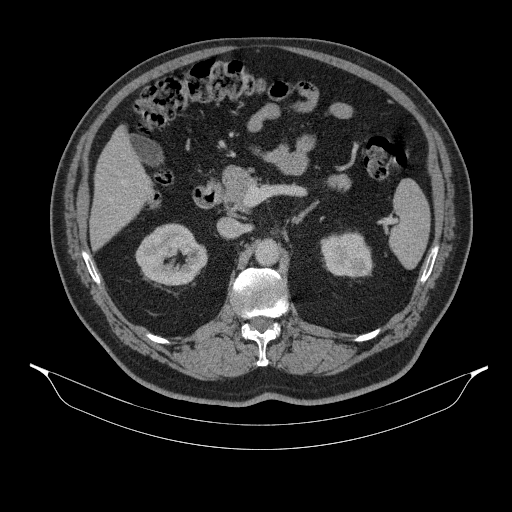
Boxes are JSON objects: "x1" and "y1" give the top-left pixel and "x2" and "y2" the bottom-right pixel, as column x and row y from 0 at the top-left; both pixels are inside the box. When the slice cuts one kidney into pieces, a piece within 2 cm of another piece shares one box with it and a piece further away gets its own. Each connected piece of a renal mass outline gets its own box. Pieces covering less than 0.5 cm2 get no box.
This is axial slice 217 of 314 (slice 1 is the lowest) of an abdominal CT with contrast; each pixel is 0.934 mm and the slice is 2.50 mm thick. Two kidney boxes on this slice; by box centre, from the image's left to its right: (1) Box {"x1": 135, "y1": 223, "x2": 207, "y2": 285}: right kidney (outlined area 3,269 px, about 28.5 cm2). (2) Left kidney at {"x1": 320, "y1": 231, "x2": 373, "y2": 277} (outlined area 1,991 px, about 17.4 cm2). This slice carries no renal mass outline.
Tube voltage 130 kVp; convolution kernel B31s.